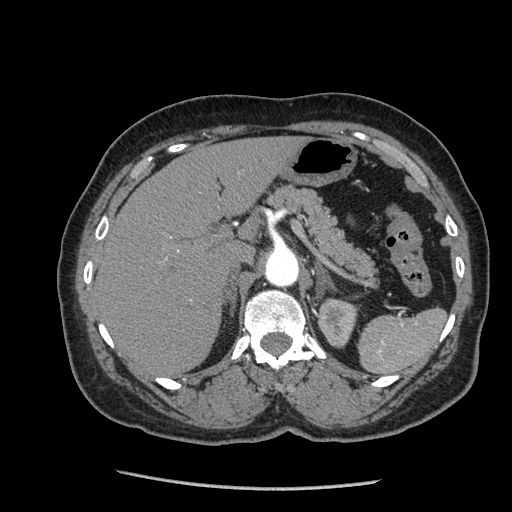
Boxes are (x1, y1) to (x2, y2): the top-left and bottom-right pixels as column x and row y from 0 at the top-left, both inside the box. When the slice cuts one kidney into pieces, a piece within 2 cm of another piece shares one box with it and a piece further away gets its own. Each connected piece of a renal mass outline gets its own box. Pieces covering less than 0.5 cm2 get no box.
This is axial slice 162 of 233 (slice 1 is the lowest) of an arterial-phase abdominal CT with contrast; each pixel is 0.703 mm and the slice is 1.25 mm thick. Left kidney from (317, 298) to (358, 348) (outlined area 1,545 px, about 7.6 cm2). No renal mass is outlined on this slice.
Acquired at 120 kVp and reconstructed with the STANDARD kernel.